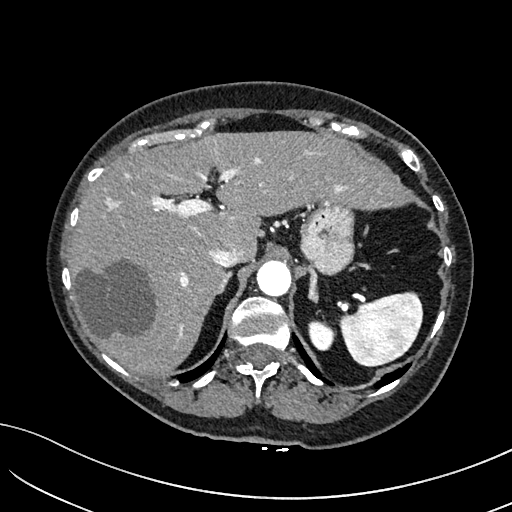
Axial slice 134 of 234 of a contrast-enhanced abdominal CT in the arterial phase (slice 1 is the lowest), 100 kVp, kernel I40f; 2.00 mm slice thickness and 0.699 mm pixels.
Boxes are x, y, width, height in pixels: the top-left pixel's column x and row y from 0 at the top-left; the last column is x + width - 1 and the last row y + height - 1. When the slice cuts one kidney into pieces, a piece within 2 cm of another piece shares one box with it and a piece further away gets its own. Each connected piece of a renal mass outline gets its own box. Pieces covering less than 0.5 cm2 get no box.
Left kidney, box x 308, y 320, width 25, height 31 (outlined area 620 px, about 3.0 cm2). No renal mass outline on this slice.